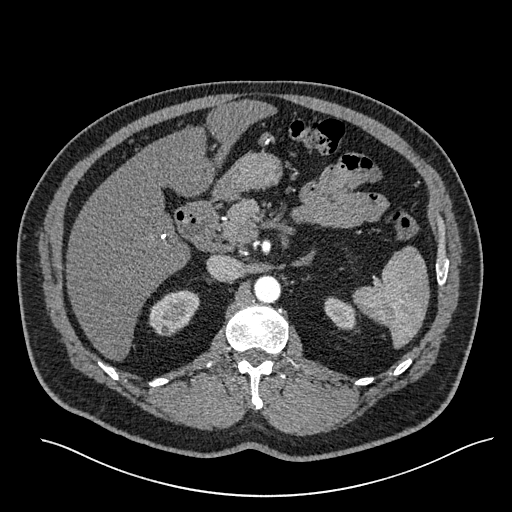
Abdominal CT with intravenous contrast, arterial phase, axial plane, 120 kVp, kernel I30f. Slice 392/527 from the bottom of the scan; thickness 1.00 mm; pixel size 0.859 mm.
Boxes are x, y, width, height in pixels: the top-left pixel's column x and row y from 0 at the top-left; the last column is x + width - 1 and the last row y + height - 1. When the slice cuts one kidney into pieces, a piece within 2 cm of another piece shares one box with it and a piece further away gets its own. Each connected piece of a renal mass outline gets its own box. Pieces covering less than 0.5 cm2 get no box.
Two boxes on this slice (two kidney boxes), listed by box centre from the image's left to its right. (1) Box x 148, y 289, width 52, height 48: right kidney (outlined area 1,677 px, about 12.4 cm2). (2) Left kidney at x 324, y 296, width 33, height 34 (outlined area 760 px, about 5.6 cm2). No renal mass outline on this slice.